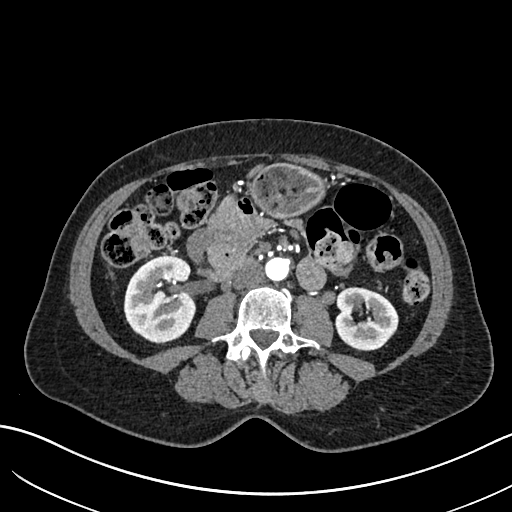
Abdominal CT with intravenous contrast, arterial phase, axial plane, 120 kVp, kernel I30f. Slice 320/683 from the bottom of the scan; thickness 1.00 mm; pixel size 0.738 mm.
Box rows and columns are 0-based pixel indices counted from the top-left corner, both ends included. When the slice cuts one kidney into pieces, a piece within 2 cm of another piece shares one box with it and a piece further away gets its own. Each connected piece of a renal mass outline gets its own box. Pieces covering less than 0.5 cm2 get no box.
Two boxes on this slice (two kidney boxes), listed by box centre from the image's left to its right. (1) Box rows 255–343, columns 123–195: right kidney (outlined area 5,017 px, about 27.3 cm2). (2) Box rows 287–351, columns 335–398: left kidney (outlined area 3,103 px, about 16.9 cm2). No renal mass outline on this slice.